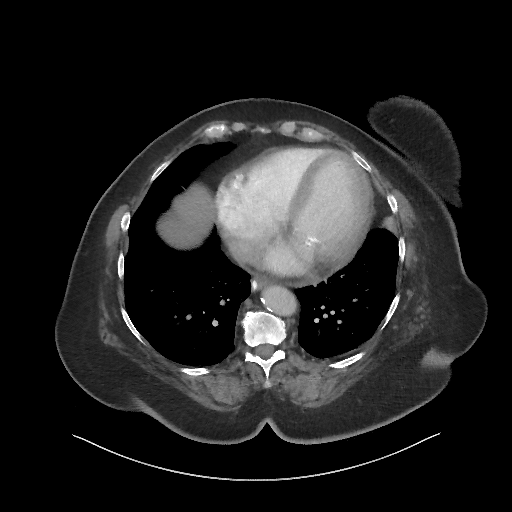
One axial slice (76 of 86, counting up from the lowest) of a contrast-enhanced abdominal CT acquired with 140 kVp, kernel I44f; each pixel is 0.977 mm and the slice is 3.00 mm thick.
This slice carries no outline: it lies beyond the outlined kidneys and beyond every outlined renal mass. Other organs are not outlined in this scan.